Abdominal CT with intravenous contrast, arterial phase, axial plane, 120 kVp, kernel I30f. Slice 338/602 from the bottom of the scan; thickness 1.00 mm; pixel size 0.799 mm.
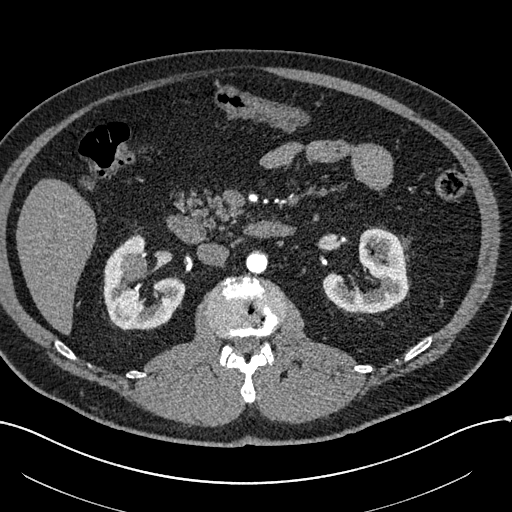
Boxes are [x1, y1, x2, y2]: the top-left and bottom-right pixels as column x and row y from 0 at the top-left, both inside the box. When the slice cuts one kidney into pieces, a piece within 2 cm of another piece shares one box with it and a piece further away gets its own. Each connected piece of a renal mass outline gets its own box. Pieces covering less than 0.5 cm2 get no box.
Boxed on this slice (two kidney boxes and one renal mass box), listed by box centre from the image's left to its right: (1) Right renal mass, box [120, 253, 147, 282] (outlined area 635 px, about 4.1 cm2). (2) Box [103, 235, 185, 329]: right kidney (outlined area 4,352 px, about 27.8 cm2). (3) Left kidney, box [322, 228, 408, 313] (outlined area 4,467 px, about 28.5 cm2).